Axial slice 237 of 673 of a contrast-enhanced abdominal CT in the arterial phase (slice 1 is the lowest), 120 kVp, kernel I30f; 1.00 mm slice thickness and 0.855 mm pixels.
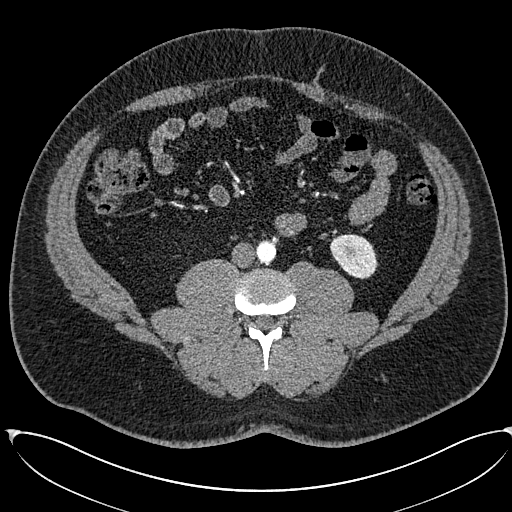
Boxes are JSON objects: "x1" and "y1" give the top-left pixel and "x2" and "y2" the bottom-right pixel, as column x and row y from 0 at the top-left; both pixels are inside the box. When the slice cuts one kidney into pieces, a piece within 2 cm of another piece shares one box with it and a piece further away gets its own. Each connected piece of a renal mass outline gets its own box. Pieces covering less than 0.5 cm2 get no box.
Box {"x1": 330, "y1": 234, "x2": 377, "y2": 279}: left kidney (outlined area 1,591 px, about 11.6 cm2). This slice carries no renal mass outline.